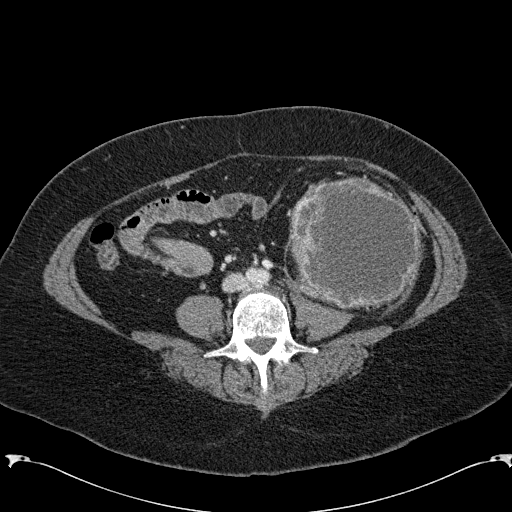
Arterial-phase contrast-enhanced abdominal CT, axial slice 50 of 285 (counted from the lowest slice); tube voltage 120 kVp, convolution kernel B31f; slices 2.00 mm thick, 0.762 mm per pixel.
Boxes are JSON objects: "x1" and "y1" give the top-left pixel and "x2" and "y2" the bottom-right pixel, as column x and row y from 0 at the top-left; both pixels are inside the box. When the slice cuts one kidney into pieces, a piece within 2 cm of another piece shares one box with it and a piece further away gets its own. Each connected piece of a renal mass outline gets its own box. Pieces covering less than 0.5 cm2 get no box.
Box {"x1": 289, "y1": 177, "x2": 422, "y2": 310}: left renal mass (outlined area 14,219 px, about 82.5 cm2); no kidney outline appears on this slice, but the same outlined renal mass comes within 1 cm of the kidney on another slice.